One axial slice (44 of 109, counting up from the lowest) of a contrast-enhanced abdominal CT acquired with 120 kVp, kernel I30f; each pixel is 0.742 mm and the slice is 3.00 mm thick.
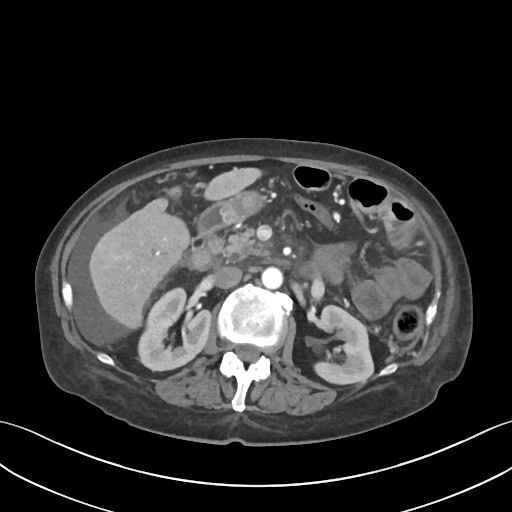
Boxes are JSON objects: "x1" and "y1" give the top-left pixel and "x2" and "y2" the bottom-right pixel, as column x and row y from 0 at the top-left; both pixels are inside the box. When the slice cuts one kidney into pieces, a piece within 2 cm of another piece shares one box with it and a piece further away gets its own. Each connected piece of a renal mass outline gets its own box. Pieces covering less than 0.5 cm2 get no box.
Two kidney boxes on this slice; by box centre, from the image's left to its right: (1) Right kidney at {"x1": 137, "y1": 285, "x2": 211, "y2": 371} (outlined area 4,404 px, about 24.3 cm2). (2) Left kidney, box {"x1": 312, "y1": 304, "x2": 374, "y2": 383} (outlined area 3,643 px, about 20.1 cm2). This slice carries no renal mass outline.